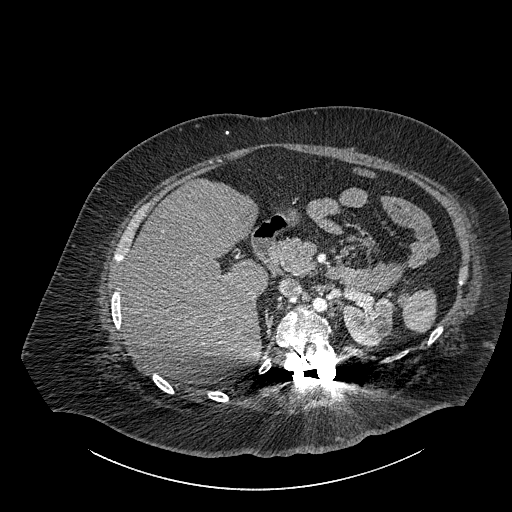
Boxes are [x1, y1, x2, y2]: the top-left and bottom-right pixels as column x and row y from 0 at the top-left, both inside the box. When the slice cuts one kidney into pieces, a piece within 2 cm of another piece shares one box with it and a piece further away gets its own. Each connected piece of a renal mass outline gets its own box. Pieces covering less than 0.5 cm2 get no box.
Slice 604/834 of a contrast-enhanced abdominal CT, counting up from the lowest; pixel size 0.977 mm, slice thickness 1.00 mm. Box [342, 296, 392, 346]: left part of the midline-crossing kidney (outlined area 1,965 px, about 18.7 cm2). No renal mass outline on this slice.
Scan settings: 140 kVp, I30f reconstruction kernel.